Abdominal CT with intravenous contrast, arterial phase, axial plane, 120 kVp, kernel I26f. Slice 191/470 from the bottom of the scan; thickness 1.00 mm; pixel size 0.938 mm.
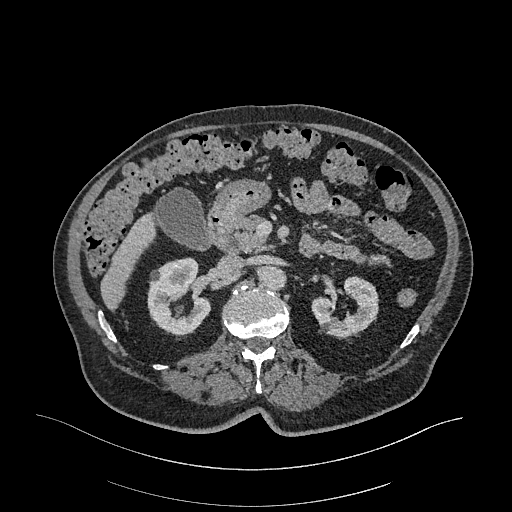
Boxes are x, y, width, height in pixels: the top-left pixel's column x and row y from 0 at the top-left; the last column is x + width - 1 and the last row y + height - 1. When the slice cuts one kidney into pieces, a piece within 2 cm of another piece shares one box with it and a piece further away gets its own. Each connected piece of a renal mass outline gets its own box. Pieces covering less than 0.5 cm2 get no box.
Two kidney boxes on this slice; by box centre, from the image's left to its right: (1) Right kidney, box x 147, y 257, width 65, height 80 (outlined area 3,637 px, about 32.0 cm2). (2) Left kidney at x 311, y 276, width 69, height 62 (outlined area 2,631 px, about 23.1 cm2). This slice carries no renal mass outline.